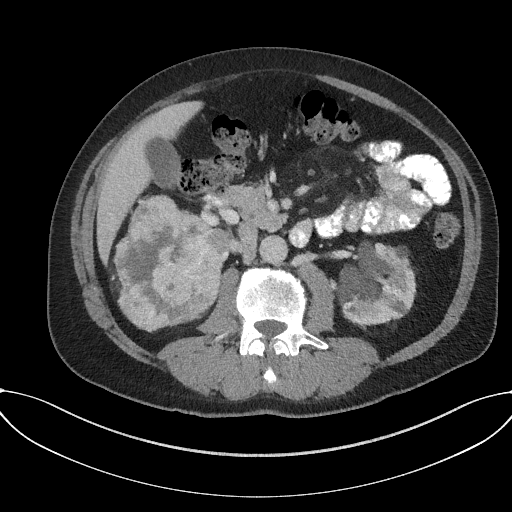
Abdominal CT with intravenous contrast, arterial phase, axial plane, 120 kVp, kernel I31f. Slice 91/227 from the bottom of the scan; thickness 3.00 mm; pixel size 0.816 mm.
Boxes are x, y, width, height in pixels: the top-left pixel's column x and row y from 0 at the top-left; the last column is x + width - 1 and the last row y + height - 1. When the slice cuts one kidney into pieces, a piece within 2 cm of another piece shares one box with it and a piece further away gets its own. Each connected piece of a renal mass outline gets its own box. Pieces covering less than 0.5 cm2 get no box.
Two boxes on this slice (one kidney box and one renal mass box), listed by box centre from the image's left to its right. (1) Box x 113, y 195, width 117, height 137: right renal mass (outlined area 11,534 px, about 76.9 cm2); here it is more than 1 cm from any kidney outline, though on another slice the same outlined renal mass lies within 1 cm of the kidney. (2) Left kidney at x 335, y 242, width 82, height 84 (outlined area 5,113 px, about 34.1 cm2).